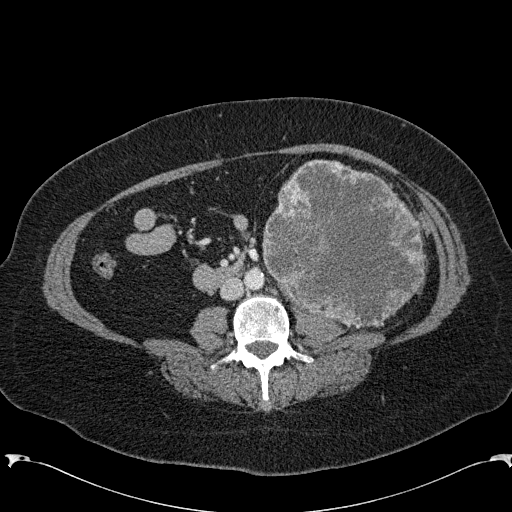
Axial slice 80 of 285 of a contrast-enhanced abdominal CT in the arterial phase (slice 1 is the lowest), 120 kVp, kernel B31f; 2.00 mm slice thickness and 0.762 mm pixels.
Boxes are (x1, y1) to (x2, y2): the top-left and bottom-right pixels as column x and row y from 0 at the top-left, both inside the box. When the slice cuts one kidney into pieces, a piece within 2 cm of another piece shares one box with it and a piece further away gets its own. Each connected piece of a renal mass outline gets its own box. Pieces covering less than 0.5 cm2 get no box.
Left renal mass, box (262, 159) to (425, 328) (outlined area 20,642 px, about 119.8 cm2); no kidney outline appears on this slice, but the same outlined renal mass comes within 1 cm of the kidney on another slice.